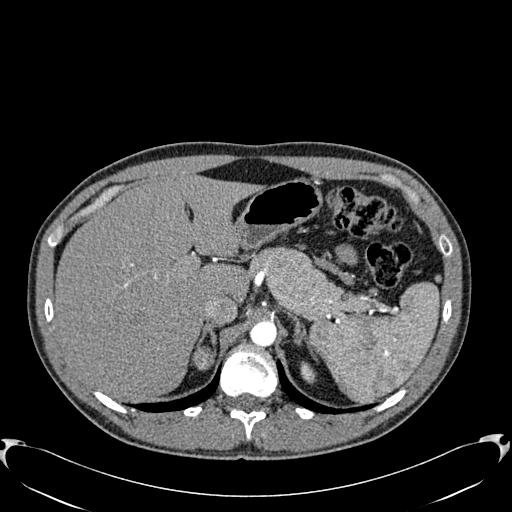
One axial slice (460 of 512, counting up from the lowest) of an arterial-phase abdominal CT acquired with 120 kVp, kernel B30f; each pixel is 0.771 mm and the slice is 1.00 mm thick.
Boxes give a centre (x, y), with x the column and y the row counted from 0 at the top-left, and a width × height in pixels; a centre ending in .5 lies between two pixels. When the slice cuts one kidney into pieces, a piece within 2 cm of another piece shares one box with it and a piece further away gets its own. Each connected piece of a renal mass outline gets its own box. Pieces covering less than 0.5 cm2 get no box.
Two boxes on this slice (one kidney box and one renal mass box), listed by box centre from the image's left to its right. (1) Box centre (203.5, 357.5), 24 × 26 pixels: right renal mass (outlined area 448 px, about 2.7 cm2); here it is more than 1 cm from any kidney outline, though on another slice the same outlined renal mass lies within 1 cm of the kidney. (2) Left kidney in a box with centre (308, 372), 17 × 23 pixels (outlined area 258 px, about 1.5 cm2).